One axial slice (94 of 145, counting up from the lowest) of an arterial-phase abdominal CT acquired with 100 kVp, kernel I40f; each pixel is 0.834 mm and the slice is 3.00 mm thick.
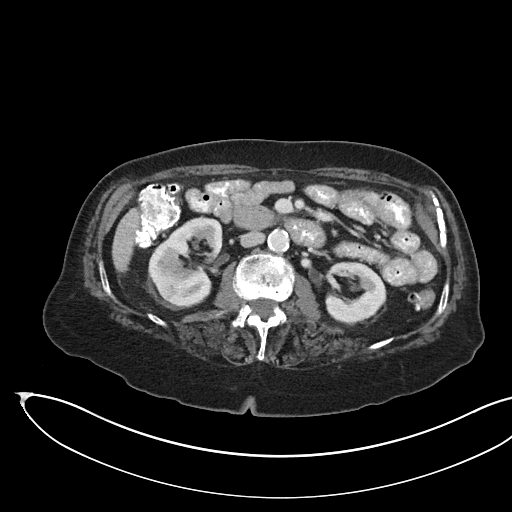
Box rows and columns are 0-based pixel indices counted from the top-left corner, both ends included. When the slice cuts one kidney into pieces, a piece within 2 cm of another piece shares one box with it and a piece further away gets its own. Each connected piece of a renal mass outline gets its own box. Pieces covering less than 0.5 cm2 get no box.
Boxed on this slice (two kidney boxes), listed by box centre from the image's left to its right: (1) Kidney at rows 217–305, columns 148–223 (outlined area 4,719 px, about 32.8 cm2). (2) Kidney at rows 261–322, columns 324–386 (outlined area 2,808 px, about 19.5 cm2). This slice carries no renal mass outline.